Axial slice 345 of 634 of a contrast-enhanced abdominal CT in the arterial phase (slice 1 is the lowest), 120 kVp, kernel B20f; 1.00 mm slice thickness and 0.838 mm pixels.
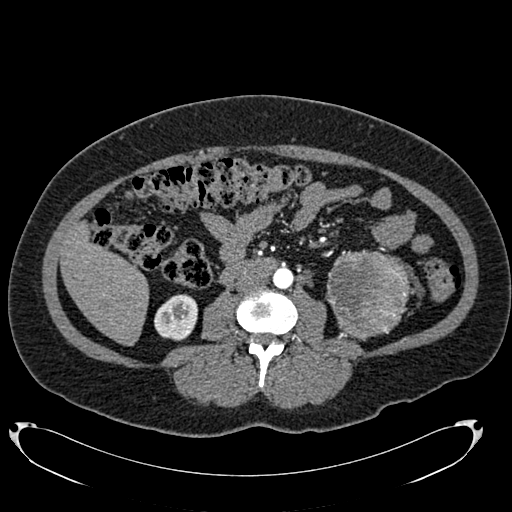
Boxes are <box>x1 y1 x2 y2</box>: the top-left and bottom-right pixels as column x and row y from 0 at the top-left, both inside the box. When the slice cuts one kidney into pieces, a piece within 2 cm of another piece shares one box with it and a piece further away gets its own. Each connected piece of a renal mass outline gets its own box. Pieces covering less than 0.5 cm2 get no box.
One kidney box and one renal mass box on this slice; by box centre, from the image's left to its right: (1) At <box>154 294 197 340</box>: right kidney (outlined area 1,594 px, about 11.2 cm2). (2) At <box>325 249 413 340</box>: left renal mass (outlined area 5,922 px, about 41.6 cm2); it sits over 1 cm from every kidney outline on this slice, but the same outlined renal mass comes within 1 cm of the kidney on another slice.